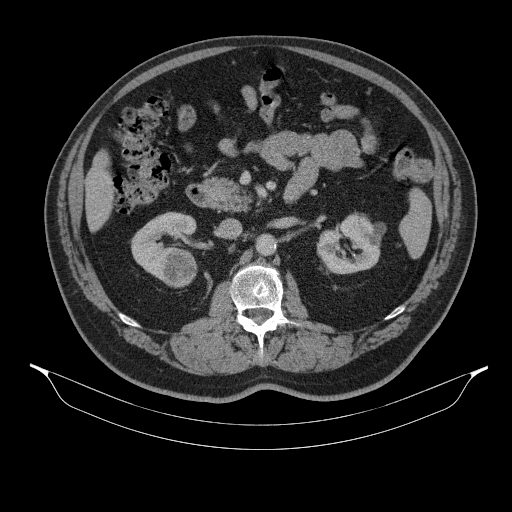
Contrast-enhanced abdominal CT, axial slice 202 of 314 (counted from the lowest slice); tube voltage 130 kVp, convolution kernel B31s; slices 2.50 mm thick, 0.934 mm per pixel.
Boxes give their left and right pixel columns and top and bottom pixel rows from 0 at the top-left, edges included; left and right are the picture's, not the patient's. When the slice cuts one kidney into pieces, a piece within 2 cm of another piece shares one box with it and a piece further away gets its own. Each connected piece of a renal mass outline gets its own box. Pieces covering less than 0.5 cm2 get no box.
Two kidney boxes and one renal mass box on this slice; by box centre, from the image's left to its right: (1) Right kidney in the box with left 130, top 212, right 197, bottom 280 (outlined area 2,539 px, about 22.1 cm2). (2) Right renal mass in the box with left 161, top 247, right 197, bottom 287 (outlined area 1,192 px, about 10.4 cm2). (3) Left kidney, the box with left 317, top 213, right 386, bottom 274 (outlined area 2,996 px, about 26.1 cm2).